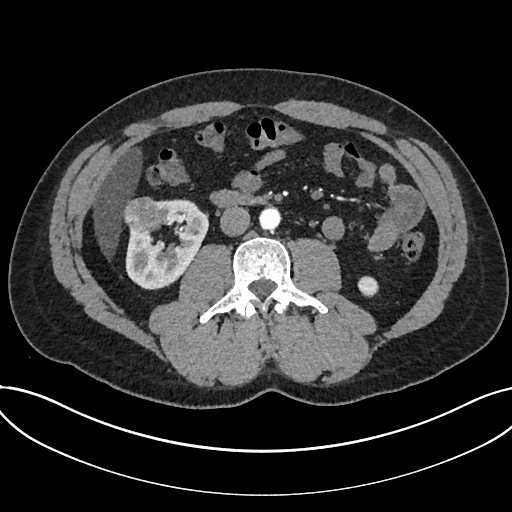
One axial slice (355 of 735, counting up from the lowest) of an arterial-phase abdominal CT acquired with 120 kVp, kernel I30f; each pixel is 0.789 mm and the slice is 1.00 mm thick.
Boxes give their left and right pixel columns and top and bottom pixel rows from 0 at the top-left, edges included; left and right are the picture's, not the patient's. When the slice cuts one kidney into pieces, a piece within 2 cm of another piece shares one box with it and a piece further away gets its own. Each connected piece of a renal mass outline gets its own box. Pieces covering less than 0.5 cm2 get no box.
Three boxes on this slice (two kidney boxes and one renal mass box), listed by box centre from the image's left to its right. (1) Renal mass, the box with left 123, top 196, right 163, bottom 233 (outlined area 1,187 px, about 7.4 cm2). (2) Kidney, the box with left 125, top 199, right 209, bottom 289 (outlined area 4,615 px, about 28.7 cm2). (3) Kidney, the box with left 357, top 276, right 378, bottom 297 (outlined area 361 px, about 2.2 cm2).